Axial slice 249 of 538 of a contrast-enhanced abdominal CT in the arterial phase (slice 1 is the lowest), 120 kVp, kernel B30f; 1.00 mm slice thickness and 0.811 mm pixels.
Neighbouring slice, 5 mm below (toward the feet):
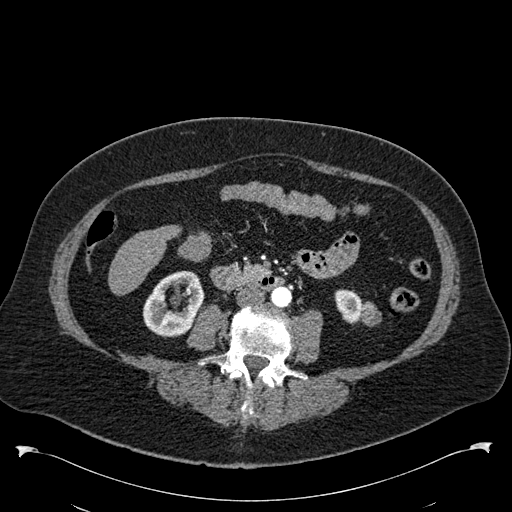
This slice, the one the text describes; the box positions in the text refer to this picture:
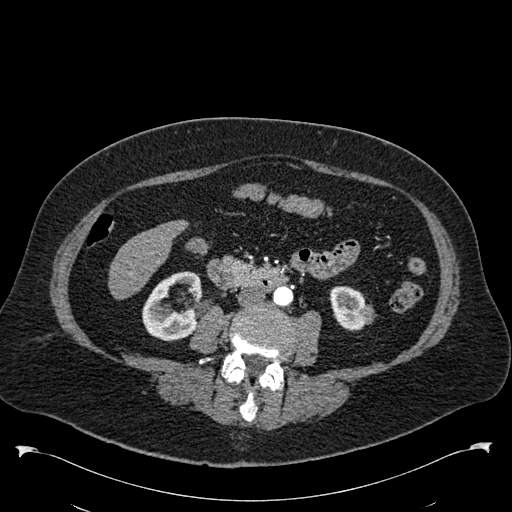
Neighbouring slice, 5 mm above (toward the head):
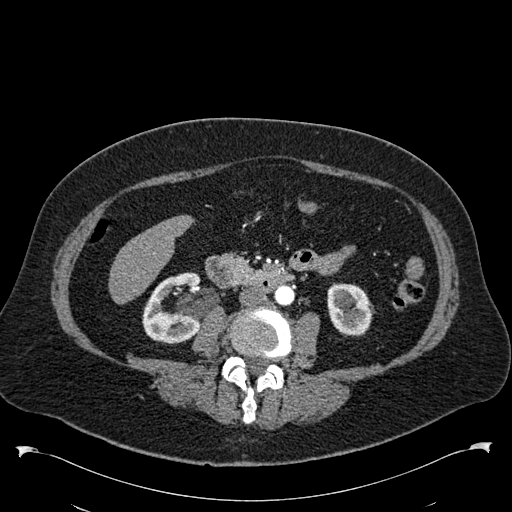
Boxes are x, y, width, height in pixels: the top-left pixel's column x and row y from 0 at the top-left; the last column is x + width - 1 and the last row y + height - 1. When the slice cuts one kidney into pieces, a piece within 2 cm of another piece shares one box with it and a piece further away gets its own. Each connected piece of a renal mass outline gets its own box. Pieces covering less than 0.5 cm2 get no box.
Two kidney boxes and one renal mass box on this slice; by box centre, from the image's left to its right: (1) Right kidney at x 142, y 271, width 60, height 71 (outlined area 2,881 px, about 18.9 cm2). (2) Box x 329, y 286, width 38, height 46: left kidney (outlined area 1,301 px, about 8.5 cm2). (3) Left renal mass, box x 360, y 305, width 17, height 20 (outlined area 195 px, about 1.3 cm2). This slice is near the end of the left renal mass toward the head, so the slices 5 mm below and 5 mm above it are shown as well; the boxes refer to this slice only.